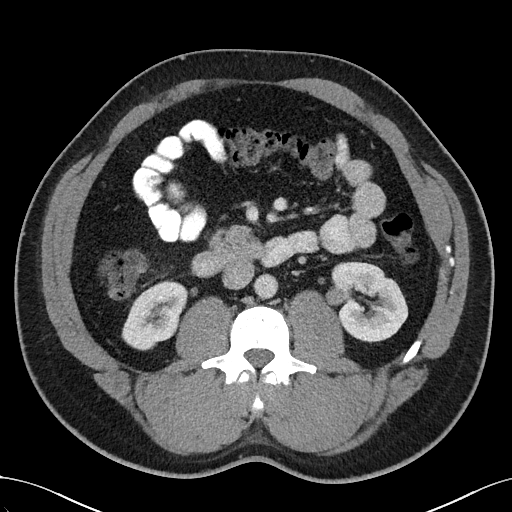
One axial slice (63 of 102, counting up from the lowest) of an arterial-phase abdominal CT acquired with 100 kVp, kernel I40f; each pixel is 0.781 mm and the slice is 5.00 mm thick.
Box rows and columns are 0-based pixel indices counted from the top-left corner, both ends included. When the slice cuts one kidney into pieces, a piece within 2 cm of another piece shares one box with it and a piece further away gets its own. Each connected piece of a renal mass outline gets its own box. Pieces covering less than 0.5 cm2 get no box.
Three boxes on this slice (two kidney boxes and one renal mass box), listed by box centre from the image's left to its right. (1) Box rows 279–350, columns 121–189: right kidney (outlined area 3,192 px, about 19.5 cm2). (2) Left renal mass at rows 286–305, columns 325–348 (outlined area 363 px, about 2.2 cm2). (3) Left kidney, box rows 261–342, columns 331–408 (outlined area 4,372 px, about 26.7 cm2).